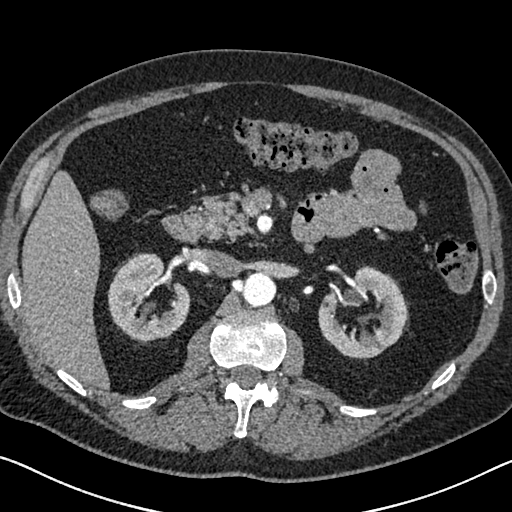
Axial slice 428 of 626 of a contrast-enhanced abdominal CT in the arterial phase (slice 1 is the lowest), 120 kVp, kernel I30f; 1.00 mm slice thickness and 0.703 mm pixels.
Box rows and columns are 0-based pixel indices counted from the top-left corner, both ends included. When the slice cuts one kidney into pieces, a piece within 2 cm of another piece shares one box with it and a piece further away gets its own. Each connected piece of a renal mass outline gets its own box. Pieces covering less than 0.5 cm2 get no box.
Two kidney boxes on this slice; by box centre, from the image's left to its right: (1) Right kidney, box rows 253–343, columns 107–190 (outlined area 5,021 px, about 24.8 cm2). (2) Box rows 266–359, columns 318–408: left kidney (outlined area 5,246 px, about 25.9 cm2). No renal mass is outlined on this slice.